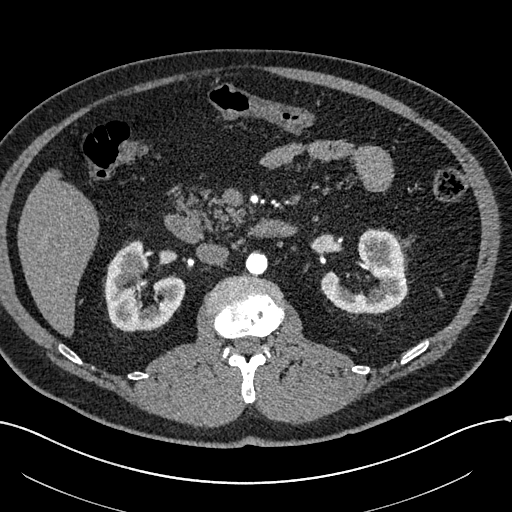
Axial slice 344 of 602 of a contrast-enhanced abdominal CT in the arterial phase (slice 1 is the lowest), 120 kVp, kernel I30f; 1.00 mm slice thickness and 0.799 mm pixels.
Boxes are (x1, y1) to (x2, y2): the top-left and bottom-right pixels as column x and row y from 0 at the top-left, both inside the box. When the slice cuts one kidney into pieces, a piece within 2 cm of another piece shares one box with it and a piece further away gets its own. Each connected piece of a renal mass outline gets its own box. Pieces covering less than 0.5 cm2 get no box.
Three boxes on this slice (two kidney boxes and one renal mass box), listed by box centre from the image's left to its right. (1) Right renal mass, box (119, 250) to (146, 279) (outlined area 569 px, about 3.6 cm2). (2) Right kidney from (104, 240) to (185, 332) (outlined area 4,234 px, about 27.0 cm2). (3) Left kidney from (321, 229) to (407, 313) (outlined area 4,287 px, about 27.4 cm2).